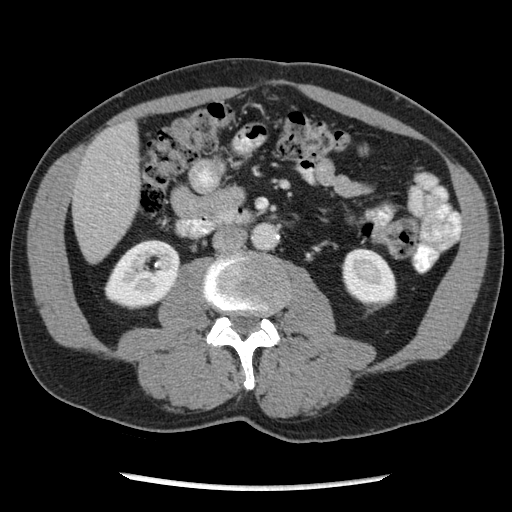
Arterial-phase contrast-enhanced abdominal CT, axial slice 106 of 262 (counted from the lowest slice); tube voltage 120 kVp, convolution kernel STANDARD; slices 2.50 mm thick, 0.703 mm per pixel.
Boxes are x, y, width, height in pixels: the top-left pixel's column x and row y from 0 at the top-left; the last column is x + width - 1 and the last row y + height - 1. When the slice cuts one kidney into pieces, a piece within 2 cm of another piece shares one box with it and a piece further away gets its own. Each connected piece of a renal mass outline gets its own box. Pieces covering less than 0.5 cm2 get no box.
Boxed on this slice (two kidney boxes), listed by box centre from the image's left to its right: (1) Box x 104, y 239, width 77, height 71: right kidney (outlined area 3,851 px, about 19.0 cm2). (2) Box x 341, y 248, width 56, height 59: left kidney (outlined area 2,494 px, about 12.3 cm2). No renal mass is outlined on this slice.